One axial slice (445 of 683, counting up from the lowest) of an arterial-phase abdominal CT acquired with 120 kVp, kernel I30f; each pixel is 0.738 mm and the slice is 1.00 mm thick.
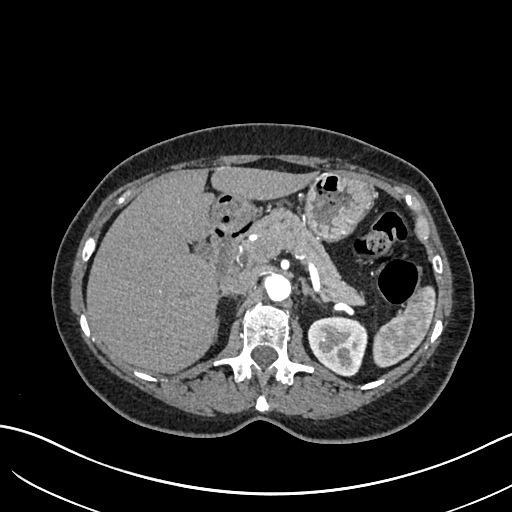
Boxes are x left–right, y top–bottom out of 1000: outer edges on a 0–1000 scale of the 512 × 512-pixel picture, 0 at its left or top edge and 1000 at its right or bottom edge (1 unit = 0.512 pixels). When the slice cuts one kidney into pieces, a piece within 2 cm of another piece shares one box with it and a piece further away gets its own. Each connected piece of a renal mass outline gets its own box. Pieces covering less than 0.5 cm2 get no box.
Left kidney at x 604–719, y 617–736 out of 1000 (outlined area 2,772 px, about 15.1 cm2). No renal mass outline on this slice.